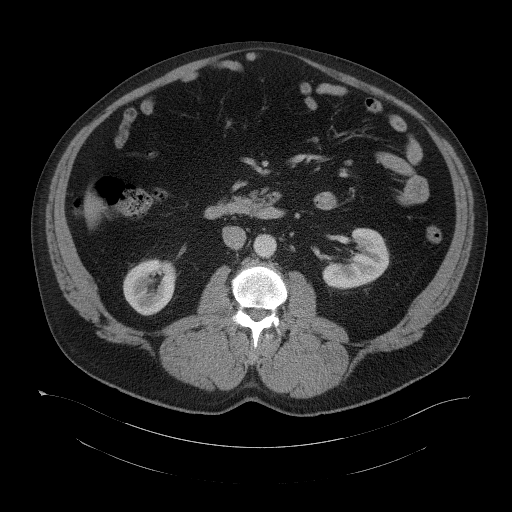
Contrast-enhanced abdominal CT, axial slice 63 of 104 (counted from the lowest slice); tube voltage 120 kVp, convolution kernel B41f; slices 5.00 mm thick, 0.977 mm per pixel.
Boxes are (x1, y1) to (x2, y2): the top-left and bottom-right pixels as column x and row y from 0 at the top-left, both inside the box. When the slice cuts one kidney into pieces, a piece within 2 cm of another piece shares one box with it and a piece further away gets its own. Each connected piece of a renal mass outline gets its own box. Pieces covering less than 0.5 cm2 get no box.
Boxed on this slice (two kidney boxes), listed by box centre from the image's left to its right: (1) Right kidney, box (123, 258) to (176, 315) (outlined area 2,353 px, about 22.4 cm2). (2) Left kidney, box (323, 228) to (389, 289) (outlined area 2,611 px, about 24.9 cm2). No renal mass outline on this slice.